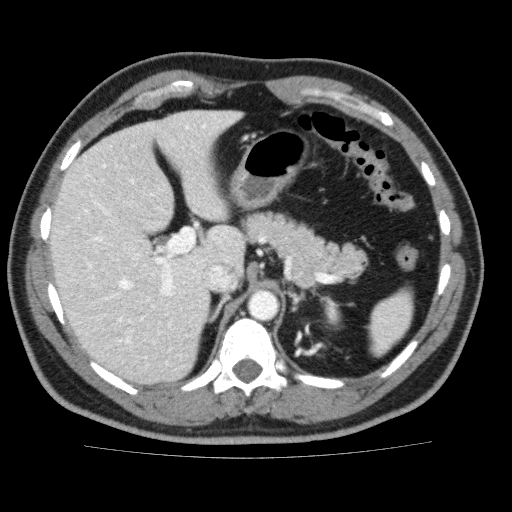
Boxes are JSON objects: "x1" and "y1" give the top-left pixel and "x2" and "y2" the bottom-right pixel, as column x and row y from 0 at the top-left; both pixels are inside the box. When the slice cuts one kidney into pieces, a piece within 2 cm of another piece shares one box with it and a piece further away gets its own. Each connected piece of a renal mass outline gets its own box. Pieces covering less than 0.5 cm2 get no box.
Slice 124/159 of a contrast-enhanced abdominal CT, counting up from the lowest; pixel size 0.668 mm, slice thickness 3.00 mm. Left kidney, box {"x1": 320, "y1": 296, "x2": 341, "y2": 324} (outlined area 412 px, about 1.8 cm2).
Acquired at 120 kVp and reconstructed with the FC13 kernel.